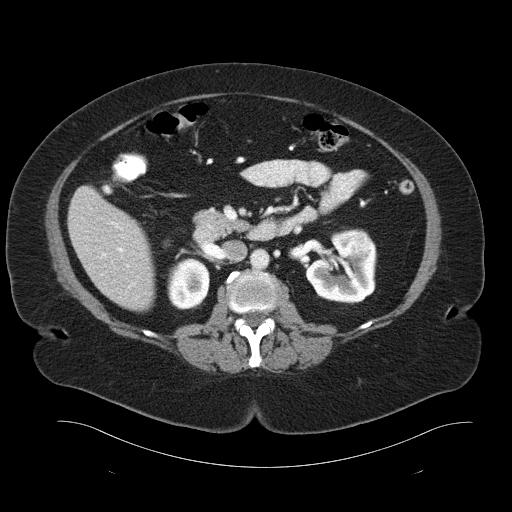
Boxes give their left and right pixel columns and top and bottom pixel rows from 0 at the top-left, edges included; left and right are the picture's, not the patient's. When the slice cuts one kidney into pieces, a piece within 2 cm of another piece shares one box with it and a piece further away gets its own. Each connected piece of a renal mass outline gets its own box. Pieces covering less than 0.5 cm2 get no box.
Slice 58/93 of a contrast-enhanced abdominal CT, counting up from the lowest; pixel size 0.938 mm, slice thickness 5.00 mm. Three boxes on this slice (two kidney boxes and one renal mass box), listed by box centre from the image's left to its right. (1) Right kidney in the box with left 167, top 259, right 209, bottom 309 (outlined area 1,821 px, about 16.0 cm2). (2) Left kidney in the box with left 305, top 228, right 377, bottom 304 (outlined area 3,866 px, about 34.0 cm2). (3) Left renal mass in the box with left 345, top 242, right 361, bottom 256 (outlined area 214 px, about 1.9 cm2).
Tube voltage 120 kVp; convolution kernel B30f.